Arterial-phase contrast-enhanced abdominal CT, axial slice 224 of 349 (counted from the lowest slice); tube voltage 120 kVp, convolution kernel STANDARD; slices 1.25 mm thick, 0.742 mm per pixel.
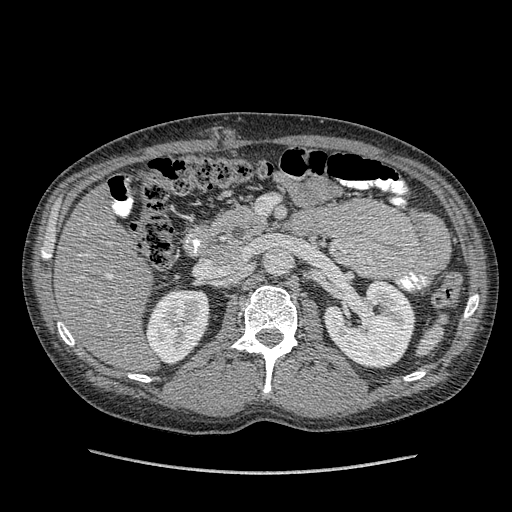
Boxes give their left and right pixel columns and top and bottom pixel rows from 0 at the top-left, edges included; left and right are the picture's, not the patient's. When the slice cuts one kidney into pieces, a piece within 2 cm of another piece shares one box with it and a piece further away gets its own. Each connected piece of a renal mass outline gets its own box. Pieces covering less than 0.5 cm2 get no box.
Two boxes on this slice (two kidney boxes), listed by box centre from the image's left to its right. (1) Right kidney, the box with left 145, top 287, right 209, bottom 364 (outlined area 3,676 px, about 20.2 cm2). (2) Left kidney, the box with left 323, top 279, right 415, bottom 368 (outlined area 5,986 px, about 33.0 cm2). This slice carries no renal mass outline.